Arterial-phase contrast-enhanced abdominal CT, axial slice 491 of 665 (counted from the lowest slice); tube voltage 100 kVp, convolution kernel I26f; slices 1.00 mm thick, 0.828 mm per pixel.
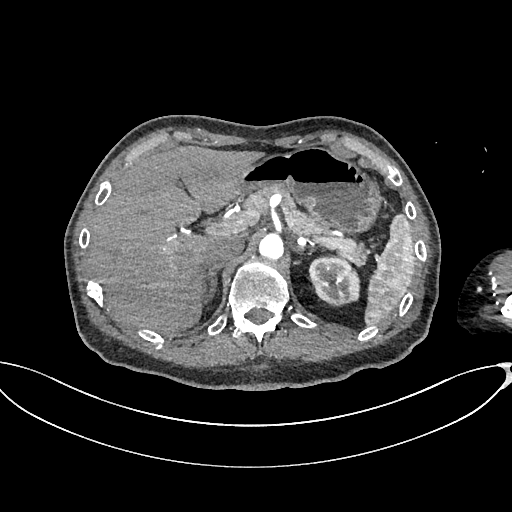
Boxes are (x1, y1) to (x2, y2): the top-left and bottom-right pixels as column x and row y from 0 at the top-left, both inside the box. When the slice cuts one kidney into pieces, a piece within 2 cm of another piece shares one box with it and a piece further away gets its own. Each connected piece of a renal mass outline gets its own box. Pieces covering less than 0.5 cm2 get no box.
Box (308, 254) to (360, 306): left kidney (outlined area 2,089 px, about 14.3 cm2). No renal mass is outlined on this slice.